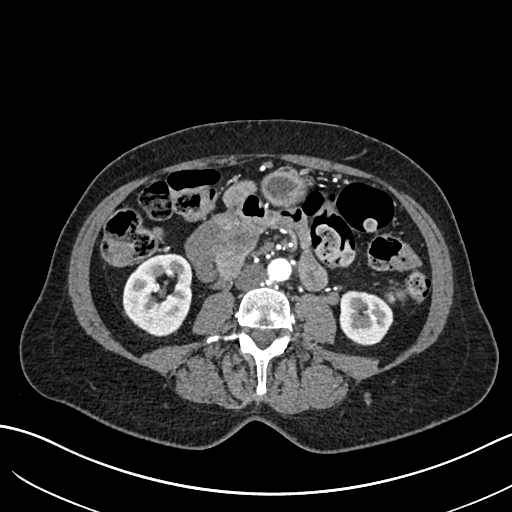
Arterial-phase contrast-enhanced abdominal CT, axial slice 306 of 683 (counted from the lowest slice); tube voltage 120 kVp, convolution kernel I30f; slices 1.00 mm thick, 0.738 mm per pixel.
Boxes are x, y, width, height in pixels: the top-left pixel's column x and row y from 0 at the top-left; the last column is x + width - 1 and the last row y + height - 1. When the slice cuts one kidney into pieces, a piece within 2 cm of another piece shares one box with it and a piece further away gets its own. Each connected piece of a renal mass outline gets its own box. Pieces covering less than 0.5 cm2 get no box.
Boxed on this slice (two kidney boxes), listed by box centre from the image's left to its right: (1) Right kidney, box x 122, y 253, width 71, height 84 (outlined area 4,402 px, about 24.0 cm2). (2) Box x 339, y 290, width 55, height 56: left kidney (outlined area 2,395 px, about 13.1 cm2). No renal mass outline on this slice.